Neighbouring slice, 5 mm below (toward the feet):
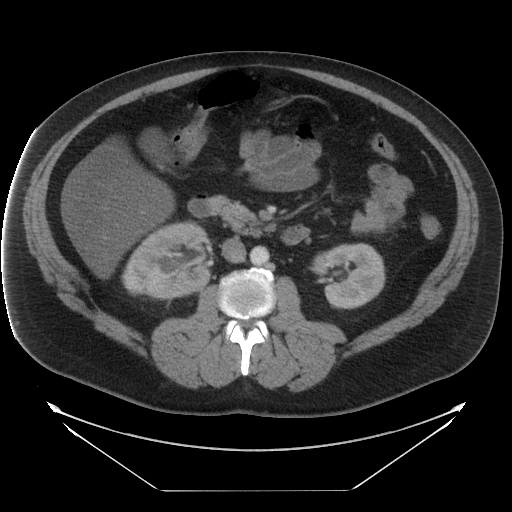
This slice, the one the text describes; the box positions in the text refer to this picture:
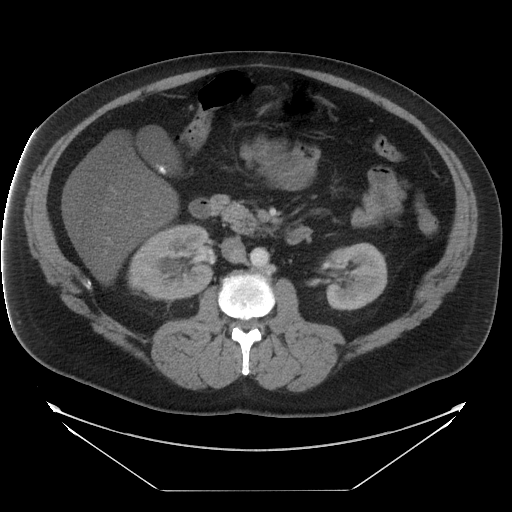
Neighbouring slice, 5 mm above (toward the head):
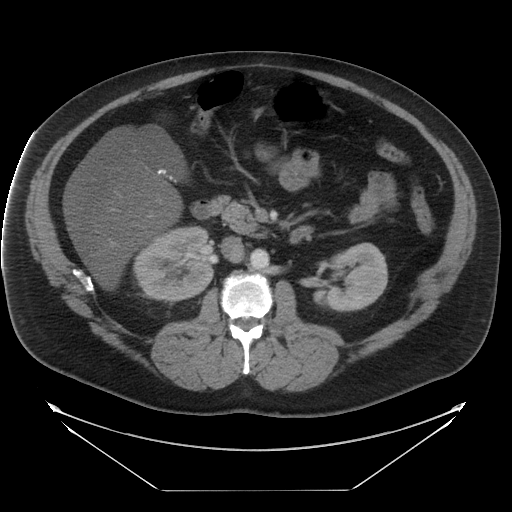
One axial slice (15 of 29, counting up from the lowest) of a contrast-enhanced abdominal CT acquired with 120 kVp, kernel STANDARD; each pixel is 0.977 mm and the slice is 5.00 mm thick.
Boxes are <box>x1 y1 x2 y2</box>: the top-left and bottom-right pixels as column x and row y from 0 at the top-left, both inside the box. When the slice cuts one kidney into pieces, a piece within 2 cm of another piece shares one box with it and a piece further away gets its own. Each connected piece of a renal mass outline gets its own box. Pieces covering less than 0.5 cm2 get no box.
Two kidney boxes and two renal mass boxes on this slice; by box centre, from the image's left to its right: (1) At <box>127 273 145 291</box>: right renal mass (outlined area 266 px, about 2.5 cm2). (2) Right renal mass: <box>158 281 175 295</box> (outlined area 216 px, about 2.1 cm2). (3) Right kidney: <box>128 224 213 300</box> (outlined area 4,693 px, about 44.8 cm2). (4) Left kidney: <box>325 242 387 310</box> (outlined area 3,479 px, about 33.2 cm2). This slice lies near the end of the right renal mass toward the head; the slices 5 mm below and 5 mm above it are shown too, and the boxes mark positions on this slice only.